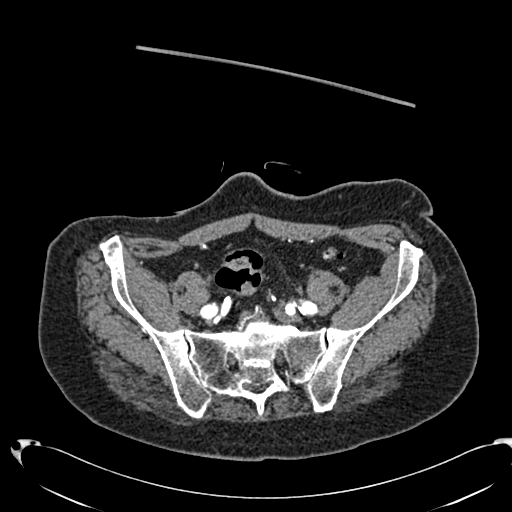
One axial slice (111 of 553, counting up from the lowest) of an arterial-phase abdominal CT acquired with 120 kVp, kernel B20f; each pixel is 0.773 mm and the slice is 1.00 mm thick.
Outside the outlined region: no kidney outline and no renal mass outline on this slice. The scan's outlines cover only kidneys and renal masses; no other organ is outlined.